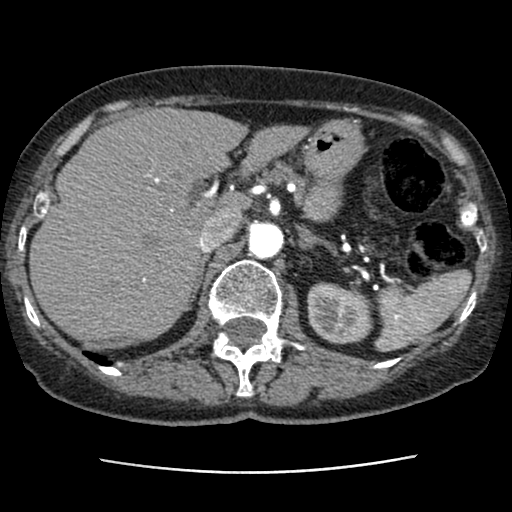
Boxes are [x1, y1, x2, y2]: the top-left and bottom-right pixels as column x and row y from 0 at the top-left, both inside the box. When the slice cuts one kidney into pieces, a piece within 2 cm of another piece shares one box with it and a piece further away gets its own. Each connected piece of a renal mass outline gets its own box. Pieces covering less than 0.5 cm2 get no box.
Slice 62/76 of a contrast-enhanced abdominal CT, counting up from the lowest; pixel size 0.586 mm, slice thickness 2.50 mm. Box [306, 281, 373, 344]: left kidney (outlined area 3,293 px, about 11.3 cm2). No renal mass is outlined on this slice.
Acquired at 120 kVp and reconstructed with the STANDARD kernel.